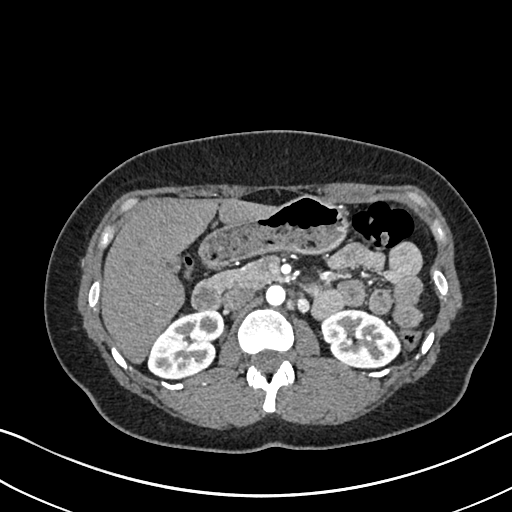
One axial slice (422 of 612, counting up from the lowest) of an arterial-phase abdominal CT acquired with 120 kVp, kernel I30f; each pixel is 0.703 mm and the slice is 1.00 mm thick.
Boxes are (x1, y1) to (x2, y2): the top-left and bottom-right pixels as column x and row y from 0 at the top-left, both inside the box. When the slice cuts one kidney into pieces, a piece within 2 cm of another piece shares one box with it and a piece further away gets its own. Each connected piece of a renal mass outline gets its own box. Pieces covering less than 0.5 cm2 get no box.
Two boxes on this slice (two kidney boxes), listed by box centre from the image's left to its right. (1) Right kidney from (147, 309) to (224, 379) (outlined area 3,860 px, about 19.1 cm2). (2) Box (321, 308) to (401, 369): left kidney (outlined area 3,627 px, about 17.9 cm2). No renal mass is outlined on this slice.